Contrast-enhanced abdominal CT, axial slice 466 of 787 (counted from the lowest slice); tube voltage 140 kVp, convolution kernel I30f; slices 1.00 mm thick, 0.910 mm per pixel.
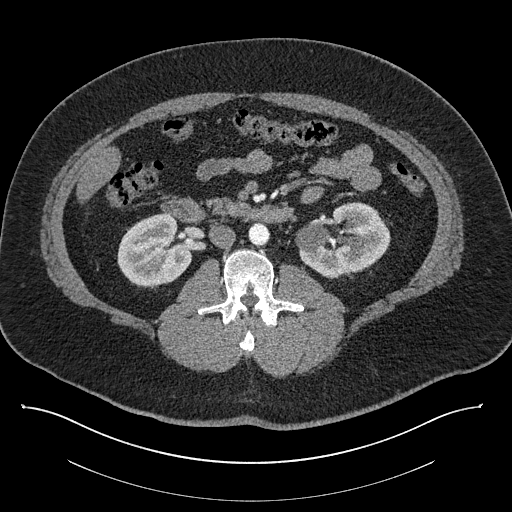
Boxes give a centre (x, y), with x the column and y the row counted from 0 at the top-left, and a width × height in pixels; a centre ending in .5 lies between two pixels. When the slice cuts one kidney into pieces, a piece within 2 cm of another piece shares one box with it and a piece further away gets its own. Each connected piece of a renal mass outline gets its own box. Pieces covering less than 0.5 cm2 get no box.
Two boxes on this slice (two kidney boxes), listed by box centre from the image's left to its right. (1) Right kidney in a box with centre (154.5, 250), 76 × 77 pixels (outlined area 4,186 px, about 34.7 cm2). (2) Left kidney in a box with centre (342.5, 240), 96 × 77 pixels (outlined area 5,166 px, about 42.8 cm2). No renal mass is outlined on this slice.